One axial slice (72 of 103, counting up from the lowest) of a contrast-enhanced abdominal CT acquired with 120 kVp, kernel FC18; each pixel is 0.714 mm and the slice is 3.00 mm thick.
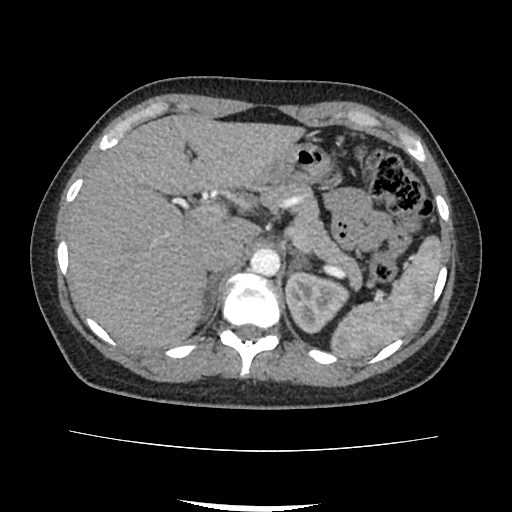
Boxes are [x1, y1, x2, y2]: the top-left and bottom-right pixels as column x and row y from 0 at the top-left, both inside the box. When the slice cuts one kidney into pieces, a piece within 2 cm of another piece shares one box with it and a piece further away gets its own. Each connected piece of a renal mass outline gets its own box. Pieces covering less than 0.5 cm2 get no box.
Left kidney, box [284, 271, 349, 334] (outlined area 2,838 px, about 14.5 cm2). No renal mass outline on this slice.